Axial slice 400 of 532 of a contrast-enhanced abdominal CT in the arterial phase (slice 1 is the lowest), 120 kVp, kernel B30f; 1.00 mm slice thickness and 0.713 mm pixels.
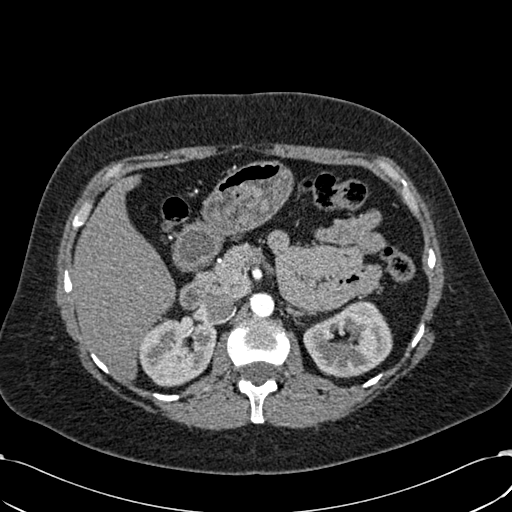
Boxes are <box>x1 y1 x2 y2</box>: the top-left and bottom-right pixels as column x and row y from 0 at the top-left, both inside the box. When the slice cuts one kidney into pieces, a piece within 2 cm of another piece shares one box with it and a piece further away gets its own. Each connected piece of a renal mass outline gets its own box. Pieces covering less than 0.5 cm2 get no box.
Two boxes on this slice (two kidney boxes), listed by box centre from the image's left to its right. (1) Right kidney at <box>138 317 216 387</box> (outlined area 4,188 px, about 21.3 cm2). (2) At <box>303 300 392 377</box>: left kidney (outlined area 4,811 px, about 24.5 cm2). No renal mass is outlined on this slice.